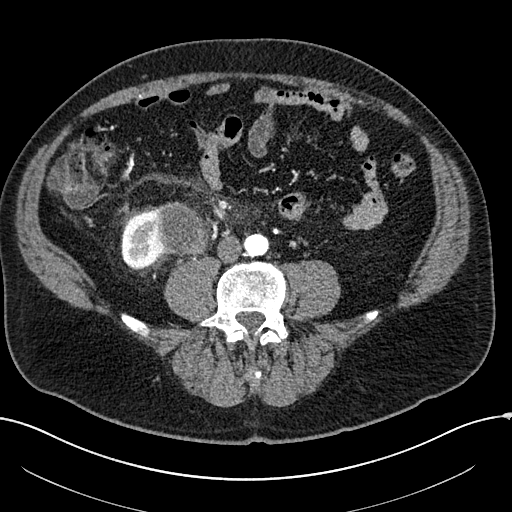
Axial slice 35 of 304 of a contrast-enhanced abdominal CT in the arterial phase (slice 1 is the lowest), 100 kVp, kernel I30f; 2.00 mm slice thickness and 0.809 mm pixels.
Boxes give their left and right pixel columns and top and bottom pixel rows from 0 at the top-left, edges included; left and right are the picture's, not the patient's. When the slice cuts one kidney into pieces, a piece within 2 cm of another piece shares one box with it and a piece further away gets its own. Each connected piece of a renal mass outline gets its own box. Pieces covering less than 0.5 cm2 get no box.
One kidney box and one renal mass box on this slice; by box centre, from the image's left to its right: (1) Box with left 120, top 209, right 168, bottom 270: right kidney (outlined area 1,969 px, about 12.9 cm2). (2) Box with left 155, top 201, right 209, bottom 254: right renal mass (outlined area 2,346 px, about 15.3 cm2).